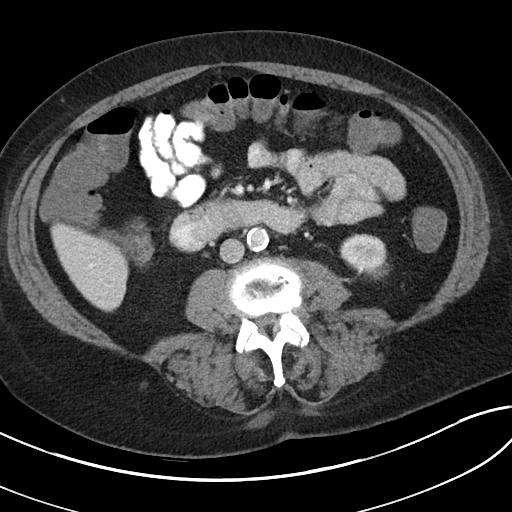
Abdominal CT with intravenous contrast, axial plane, 100 kVp, kernel I40f. Slice 49/80 from the bottom of the scan; thickness 5.00 mm; pixel size 0.703 mm.
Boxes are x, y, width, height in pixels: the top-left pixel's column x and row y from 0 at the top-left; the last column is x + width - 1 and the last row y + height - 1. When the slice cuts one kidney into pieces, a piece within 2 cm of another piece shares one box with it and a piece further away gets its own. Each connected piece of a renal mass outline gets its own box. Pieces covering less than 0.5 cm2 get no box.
Box x 339, y 233, width 48, height 41: left kidney (outlined area 1,510 px, about 7.5 cm2). No renal mass outline on this slice.